One axial slice (211 of 314, counting up from the lowest) of a contrast-enhanced abdominal CT acquired with 130 kVp, kernel B31s; each pixel is 0.934 mm and the slice is 2.50 mm thick.
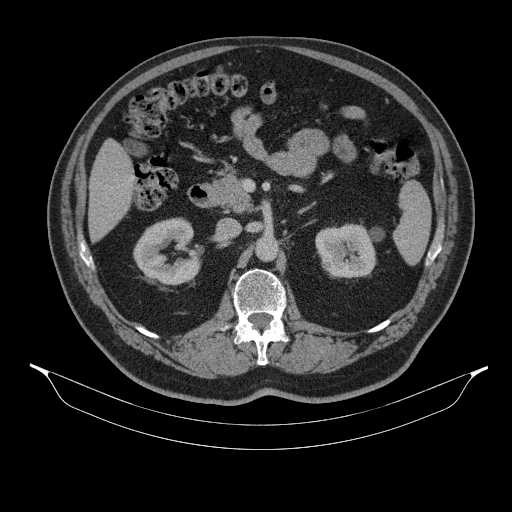
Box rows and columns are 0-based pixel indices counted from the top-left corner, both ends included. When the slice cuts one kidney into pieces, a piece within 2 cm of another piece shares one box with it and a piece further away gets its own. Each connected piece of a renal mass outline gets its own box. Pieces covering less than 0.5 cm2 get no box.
Boxed on this slice (two kidney boxes), listed by box centre from the image's left to its right: (1) Right kidney, box rows 217–284, columns 133–201 (outlined area 3,244 px, about 28.3 cm2). (2) Left kidney, box rows 224–277, columns 315–384 (outlined area 2,886 px, about 25.2 cm2). No renal mass outline on this slice.